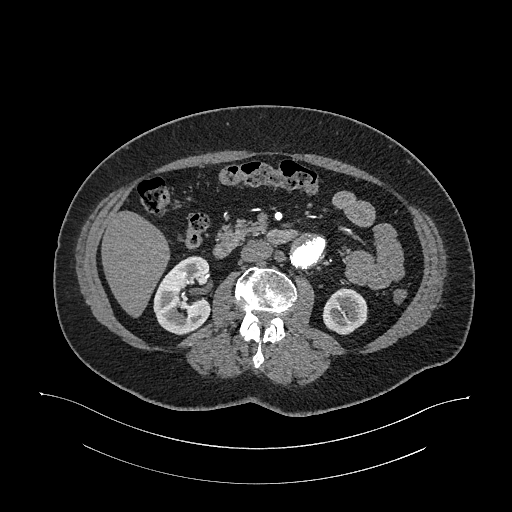
Axial slice 612 of 987 of a contrast-enhanced abdominal CT in the arterial phase (slice 1 is the lowest), 120 kVp, kernel I26f; 1.00 mm slice thickness and 0.977 mm pixels.
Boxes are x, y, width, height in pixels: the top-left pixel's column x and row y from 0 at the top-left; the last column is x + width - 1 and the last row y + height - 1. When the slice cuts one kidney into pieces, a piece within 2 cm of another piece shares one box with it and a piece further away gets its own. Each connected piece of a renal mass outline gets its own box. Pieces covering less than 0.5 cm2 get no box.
Two boxes on this slice (two kidney boxes), listed by box centre from the image's left to its right. (1) Right kidney at x 153, y 256, width 58, height 79 (outlined area 3,427 px, about 32.7 cm2). (2) Left kidney, box x 322, y 288, width 46, height 47 (outlined area 1,625 px, about 15.5 cm2). No renal mass outline on this slice.